Abdominal CT with intravenous contrast, arterial phase, axial plane, 100 kVp, kernel I40f. Slice 119/316 from the bottom of the scan; thickness 2.00 mm; pixel size 0.840 mm.
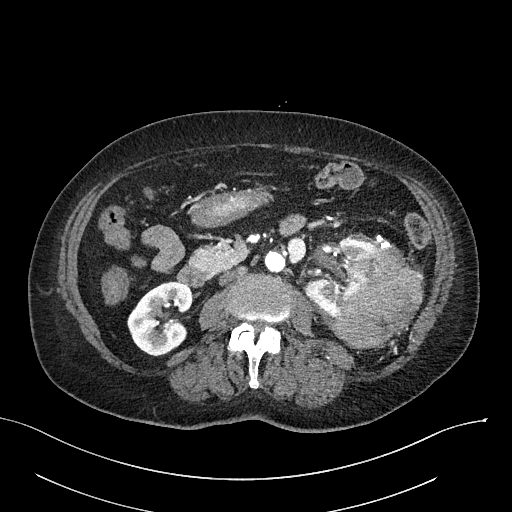
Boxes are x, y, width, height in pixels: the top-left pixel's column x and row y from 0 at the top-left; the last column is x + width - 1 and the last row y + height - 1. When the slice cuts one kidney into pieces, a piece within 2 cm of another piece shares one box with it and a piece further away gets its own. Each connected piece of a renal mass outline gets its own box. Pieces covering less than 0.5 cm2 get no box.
Boxed on this slice (two kidney boxes and one renal mass box), listed by box centre from the image's left to its right: (1) Right kidney at x 127, y 281, width 66, height 76 (outlined area 3,490 px, about 24.6 cm2). (2) Left kidney at x 304, y 239, width 72, height 78 (outlined area 2,601 px, about 18.3 cm2). (3) Box x 335, y 246, width 89, height 103: left renal mass (outlined area 6,242 px, about 44.0 cm2).